One axial slice (250 of 349, counting up from the lowest) of an arterial-phase abdominal CT acquired with 120 kVp, kernel STANDARD; each pixel is 0.742 mm and the slice is 1.25 mm thick.
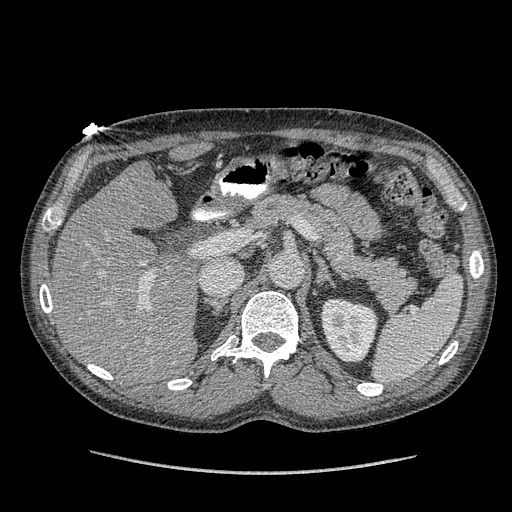
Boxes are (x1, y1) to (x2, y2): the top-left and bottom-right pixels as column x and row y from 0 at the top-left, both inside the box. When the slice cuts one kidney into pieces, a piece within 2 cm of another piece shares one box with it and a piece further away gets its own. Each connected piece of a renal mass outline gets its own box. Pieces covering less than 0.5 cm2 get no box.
Left kidney from (320, 298) to (377, 362) (outlined area 2,920 px, about 16.1 cm2). No renal mass outline on this slice.